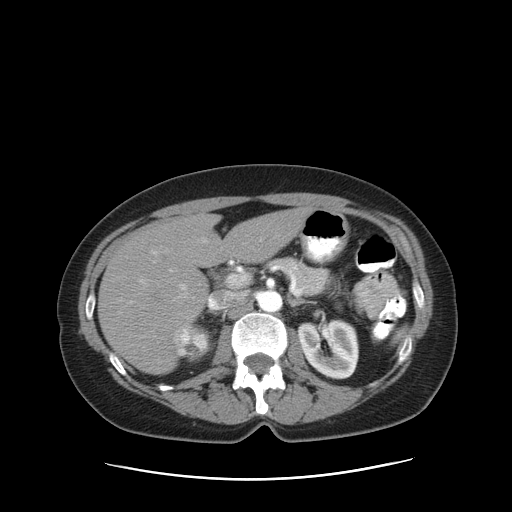
Arterial-phase contrast-enhanced abdominal CT, axial slice 58 of 83 (counted from the lowest slice); tube voltage 120 kVp, convolution kernel STANDARD; slices 5.00 mm thick, 0.775 mm per pixel.
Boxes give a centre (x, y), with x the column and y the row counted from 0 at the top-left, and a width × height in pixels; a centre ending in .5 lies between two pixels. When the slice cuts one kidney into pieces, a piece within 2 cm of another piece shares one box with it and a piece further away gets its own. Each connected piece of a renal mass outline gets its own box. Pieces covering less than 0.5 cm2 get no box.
Two boxes on this slice (one kidney box and one renal mass box), listed by box centre from the image's left to its right. (1) Right renal mass in a box with centre (192.5, 342), 40 × 41 pixels (outlined area 1,267 px, about 7.6 cm2); on this slice it lies more than 1 cm from any kidney outline, but the same outlined renal mass comes within 1 cm of the kidney on another slice. (2) Left kidney, box centre (328, 348.5), 63 × 62 pixels (outlined area 2,946 px, about 17.7 cm2).